Contrast-enhanced abdominal CT, axial slice 44 of 103 (counted from the lowest slice); tube voltage 120 kVp, convolution kernel FC18; slices 3.00 mm thick, 0.714 mm per pixel.
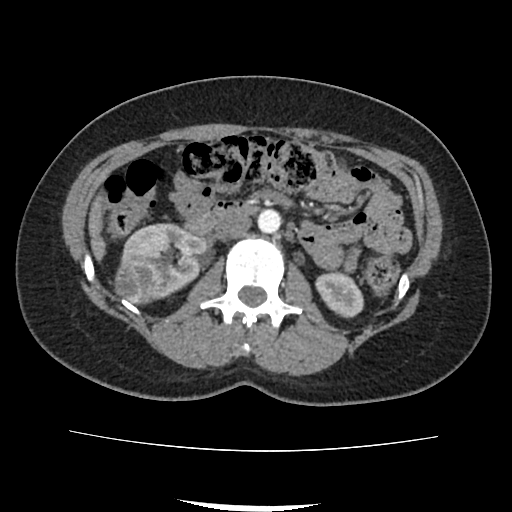
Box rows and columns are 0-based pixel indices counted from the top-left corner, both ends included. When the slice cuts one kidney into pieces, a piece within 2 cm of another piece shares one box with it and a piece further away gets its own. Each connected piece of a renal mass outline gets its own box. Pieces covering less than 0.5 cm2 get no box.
Two kidney boxes and one renal mass box on this slice; by box centre, from the image's left to its right: (1) Right renal mass at rows 260–304, columns 113–161 (outlined area 1,676 px, about 8.5 cm2). (2) Box rows 223–299, columns 120–206: right kidney (outlined area 3,811 px, about 19.4 cm2). (3) Left kidney at rows 271–318, columns 315–363 (outlined area 1,664 px, about 8.5 cm2).